One axial slice (463 of 512, counting up from the lowest) of an arterial-phase abdominal CT acquired with 120 kVp, kernel B30f; each pixel is 0.771 mm and the slice is 1.00 mm thick.
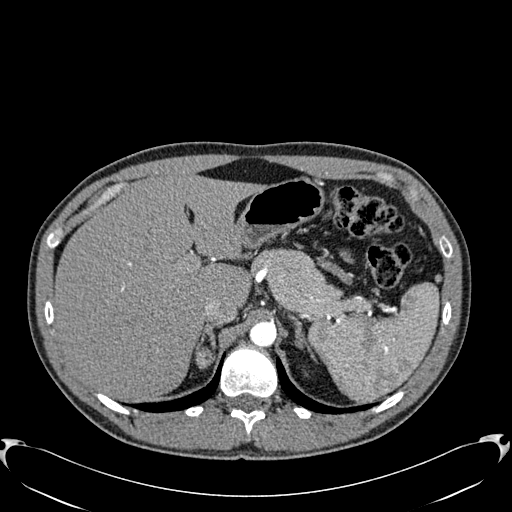
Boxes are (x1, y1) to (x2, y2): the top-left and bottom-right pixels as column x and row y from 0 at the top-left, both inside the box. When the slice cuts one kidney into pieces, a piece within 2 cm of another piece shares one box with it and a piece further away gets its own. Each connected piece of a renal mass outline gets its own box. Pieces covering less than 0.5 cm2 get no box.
Right renal mass, box (195, 347) to (215, 369) (outlined area 341 px, about 2.0 cm2); on this slice it lies more than 1 cm from any kidney outline, but the same outlined renal mass comes within 1 cm of the kidney on another slice.